One axial slice (65 of 103, counting up from the lowest) of an arterial-phase abdominal CT acquired with 120 kVp, kernel B41f; each pixel is 0.951 mm and the slice is 5.00 mm thick.
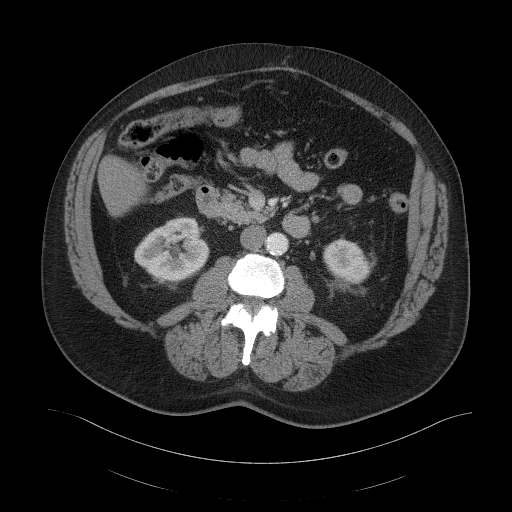
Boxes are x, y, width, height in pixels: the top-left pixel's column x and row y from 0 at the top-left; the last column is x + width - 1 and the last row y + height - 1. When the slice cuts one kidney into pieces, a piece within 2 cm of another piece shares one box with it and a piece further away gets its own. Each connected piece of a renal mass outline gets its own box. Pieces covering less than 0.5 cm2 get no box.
Two kidney boxes on this slice; by box centre, from the image's left to its right: (1) Right kidney at x 134, y 216, width 76, height 66 (outlined area 3,615 px, about 32.7 cm2). (2) Box x 323, y 238, width 47, height 45: left kidney (outlined area 1,564 px, about 14.1 cm2). No renal mass is outlined on this slice.